Arterial-phase contrast-enhanced abdominal CT, axial slice 221 of 383 (counted from the lowest slice); tube voltage 100 kVp, convolution kernel SOFT; slices 1.25 mm thick, 0.898 mm per pixel.
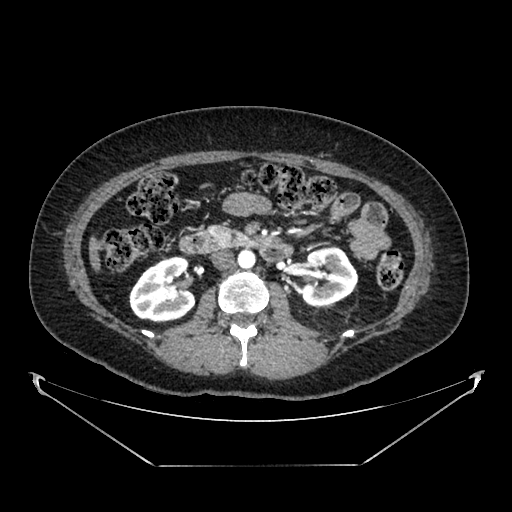
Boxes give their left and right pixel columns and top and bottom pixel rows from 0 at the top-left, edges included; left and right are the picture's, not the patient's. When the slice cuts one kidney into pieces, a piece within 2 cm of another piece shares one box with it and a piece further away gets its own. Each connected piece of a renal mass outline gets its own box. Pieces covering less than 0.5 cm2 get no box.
Two kidney boxes on this slice; by box centre, from the image's left to its right: (1) Right kidney, the box with left 129, top 256, right 196, bottom 322 (outlined area 3,352 px, about 27.1 cm2). (2) Left kidney in the box with left 301, top 246, right 357, bottom 306 (outlined area 2,653 px, about 21.4 cm2). This slice carries no renal mass outline.